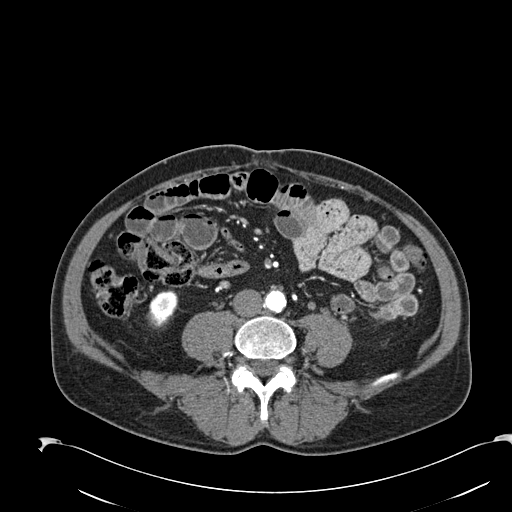
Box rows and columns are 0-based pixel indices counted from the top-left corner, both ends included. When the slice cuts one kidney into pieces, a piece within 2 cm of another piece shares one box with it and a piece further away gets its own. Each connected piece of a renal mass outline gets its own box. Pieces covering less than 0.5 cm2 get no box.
Arterial-phase contrast-enhanced abdominal CT, axial slice 42 of 274 (counted from the lowest slice); 2.00 mm thick, 0.809 mm per pixel. Right kidney, box rows 291–328, columns 148–178 (outlined area 862 px, about 5.6 cm2). No renal mass outline on this slice.
Acquired at 120 kVp and reconstructed with the B30f kernel.